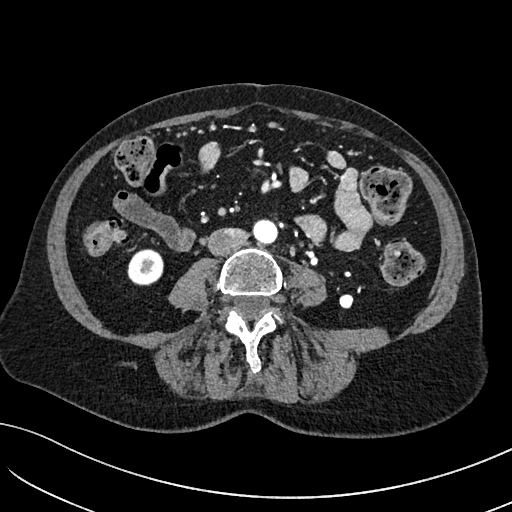
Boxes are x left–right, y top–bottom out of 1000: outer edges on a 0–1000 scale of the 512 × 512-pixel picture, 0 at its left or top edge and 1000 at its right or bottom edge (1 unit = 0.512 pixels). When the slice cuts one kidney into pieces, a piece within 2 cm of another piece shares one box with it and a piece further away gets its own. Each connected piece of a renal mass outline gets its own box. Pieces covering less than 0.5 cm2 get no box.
This is axial slice 8 of 234 (slice 1 is the lowest) of an arterial-phase abdominal CT with contrast; each pixel is 0.699 mm and the slice is 2.00 mm thick. Box x 248–320, y 486–559 out of 1000: right kidney (outlined area 1,088 px, about 5.3 cm2). This slice carries no renal mass outline.
Acquired at 100 kVp and reconstructed with the I40f kernel.